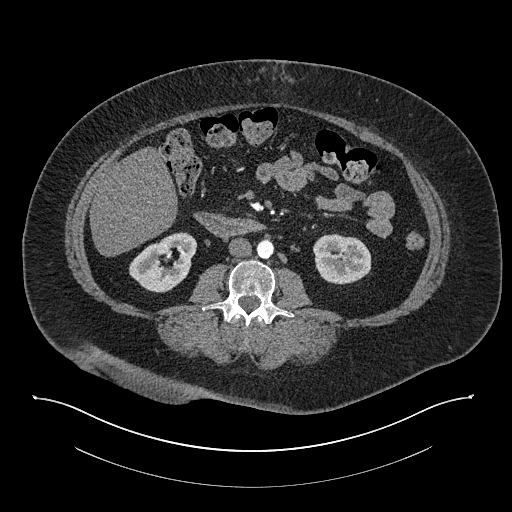
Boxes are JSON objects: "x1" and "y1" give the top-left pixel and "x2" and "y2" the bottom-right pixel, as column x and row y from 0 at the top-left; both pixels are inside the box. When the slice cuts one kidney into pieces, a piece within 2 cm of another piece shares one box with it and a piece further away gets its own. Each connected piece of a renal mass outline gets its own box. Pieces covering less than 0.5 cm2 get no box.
This is axial slice 397 of 673 (slice 1 is the lowest) of an arterial-phase abdominal CT with contrast; each pixel is 0.957 mm and the slice is 1.00 mm thick. Two kidney boxes on this slice; by box centre, from the image's left to its right: (1) Box {"x1": 129, "y1": 232, "x2": 197, "y2": 292}: right kidney (outlined area 2,716 px, about 24.9 cm2). (2) Left kidney, box {"x1": 313, "y1": 234, "x2": 371, "y2": 284} (outlined area 2,387 px, about 21.9 cm2). No renal mass is outlined on this slice.
Scan settings: 140 kVp, I30f reconstruction kernel.